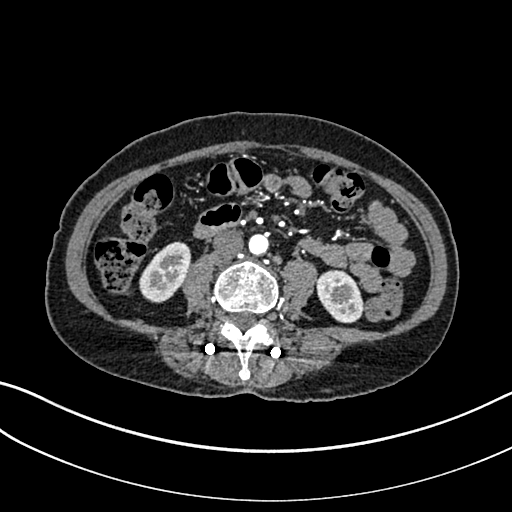
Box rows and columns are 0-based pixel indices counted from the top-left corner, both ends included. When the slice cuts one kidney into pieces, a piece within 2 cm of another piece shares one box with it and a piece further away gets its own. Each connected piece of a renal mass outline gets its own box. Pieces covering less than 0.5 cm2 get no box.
This is axial slice 73 of 325 (slice 1 is the lowest) of an arterial-phase abdominal CT with contrast; each pixel is 0.703 mm and the slice is 1.00 mm thick. Boxed on this slice (two kidney boxes), listed by box centre from the image's left to its right: (1) Box rows 241–302, columns 139–191: right kidney (outlined area 2,169 px, about 10.7 cm2). (2) Left kidney, box rows 270–323, columns 315–363 (outlined area 1,920 px, about 9.5 cm2). This slice carries no renal mass outline.
Scan settings: 100 kVp, I30f reconstruction kernel.